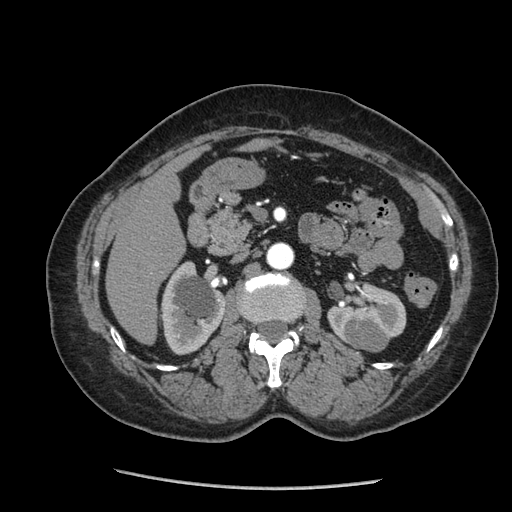
Arterial-phase contrast-enhanced abdominal CT, axial slice 129 of 233 (counted from the lowest slice); tube voltage 120 kVp, convolution kernel STANDARD; slices 1.25 mm thick, 0.703 mm per pixel.
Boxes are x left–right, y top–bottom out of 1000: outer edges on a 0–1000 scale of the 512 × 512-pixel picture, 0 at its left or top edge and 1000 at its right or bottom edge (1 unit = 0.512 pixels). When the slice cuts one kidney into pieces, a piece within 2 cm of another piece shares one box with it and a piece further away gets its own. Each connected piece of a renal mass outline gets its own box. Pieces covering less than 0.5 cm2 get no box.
Two kidney boxes and one renal mass box on this slice; by box centre, from the image's left to its right: (1) Right kidney, box x 314–441, y 510–695 out of 1000 (outlined area 4,370 px, about 21.6 cm2). (2) Left kidney, box x 639–795, y 551–672 out of 1000 (outlined area 2,744 px, about 13.6 cm2). (3) Left renal mass, box x 672–766, y 621–689 out of 1000 (outlined area 1,208 px, about 6.0 cm2).